Abdominal CT with intravenous contrast, arterial phase, axial plane, 120 kVp, kernel I30f. Slice 377/683 from the bottom of the scan; thickness 1.00 mm; pixel size 0.738 mm.
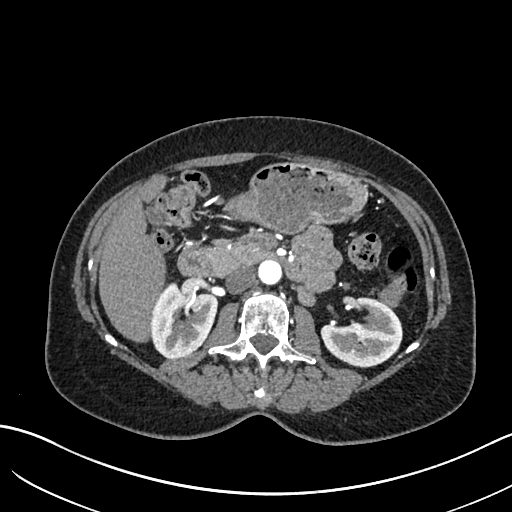
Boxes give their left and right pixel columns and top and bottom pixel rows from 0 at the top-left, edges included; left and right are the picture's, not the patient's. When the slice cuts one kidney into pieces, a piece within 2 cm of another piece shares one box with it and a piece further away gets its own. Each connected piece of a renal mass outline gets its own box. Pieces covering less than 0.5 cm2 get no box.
Two boxes on this slice (two kidney boxes), listed by box centre from the image's left to its right. (1) Right kidney in the box with left 150, top 282, right 218, bottom 358 (outlined area 3,901 px, about 21.3 cm2). (2) Left kidney in the box with left 322, top 296, right 401, bottom 367 (outlined area 3,854 px, about 21.0 cm2). No renal mass is outlined on this slice.